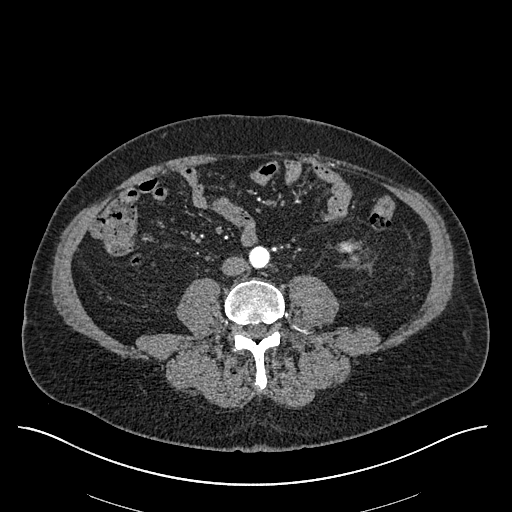
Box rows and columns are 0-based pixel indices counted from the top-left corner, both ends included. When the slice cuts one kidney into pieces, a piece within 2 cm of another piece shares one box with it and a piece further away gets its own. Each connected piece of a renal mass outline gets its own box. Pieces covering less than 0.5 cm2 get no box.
Slice 201/670 of a contrast-enhanced abdominal CT in the arterial phase, counting up from the lowest; pixel size 0.861 mm, slice thickness 1.00 mm. Left kidney, box rows 246–257, columns 344–356 (outlined area 96 px, about 0.7 cm2). This slice carries no renal mass outline.
Tube voltage 120 kVp; convolution kernel I30f.